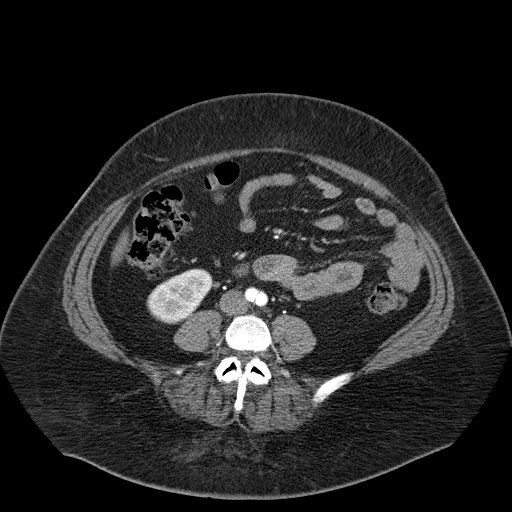
Abdominal CT with intravenous contrast, axial plane, 120 kVp, kernel B30f. Slice 23/55 from the bottom of the scan; thickness 5.00 mm; pixel size 0.908 mm.
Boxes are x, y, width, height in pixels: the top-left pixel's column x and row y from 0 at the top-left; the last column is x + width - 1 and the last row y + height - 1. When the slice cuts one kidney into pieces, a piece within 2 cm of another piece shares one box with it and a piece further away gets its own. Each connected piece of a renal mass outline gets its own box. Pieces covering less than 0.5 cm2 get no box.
Right kidney, box x 146, y 268, width 67, height 57 (outlined area 2,476 px, about 20.4 cm2). No renal mass is outlined on this slice.